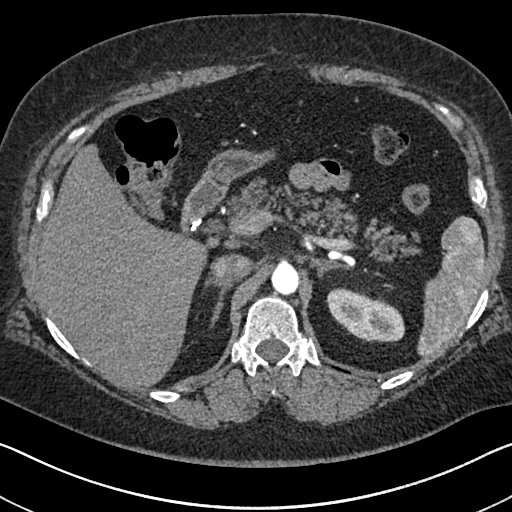
Axial slice 489 of 591 of a contrast-enhanced abdominal CT in the arterial phase (slice 1 is the lowest), 140 kVp, kernel I30f; 1.00 mm slice thickness and 0.703 mm pixels.
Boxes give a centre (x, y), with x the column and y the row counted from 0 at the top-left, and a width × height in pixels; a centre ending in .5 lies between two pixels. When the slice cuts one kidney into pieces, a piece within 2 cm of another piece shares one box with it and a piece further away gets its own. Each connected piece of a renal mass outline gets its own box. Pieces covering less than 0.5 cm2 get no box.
Left kidney in a box with centre (365.5, 315), 80 × 55 pixels (outlined area 2,950 px, about 14.6 cm2). No renal mass is outlined on this slice.